One axial slice (393 of 787, counting up from the lowest) of a contrast-enhanced abdominal CT acquired with 140 kVp, kernel I30f; each pixel is 0.910 mm and the slice is 1.00 mm thick.
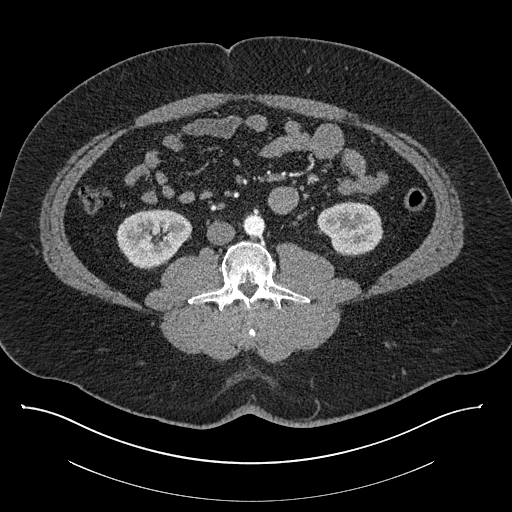
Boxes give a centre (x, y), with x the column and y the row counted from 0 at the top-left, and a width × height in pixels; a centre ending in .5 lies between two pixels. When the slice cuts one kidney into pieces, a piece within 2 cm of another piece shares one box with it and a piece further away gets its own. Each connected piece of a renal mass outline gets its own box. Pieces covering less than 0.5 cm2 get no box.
Boxed on this slice (two kidney boxes), listed by box centre from the image's left to its right: (1) Right kidney, box centre (153.5, 238.5), 76 × 60 pixels (outlined area 3,341 px, about 27.7 cm2). (2) Box centre (350, 228), 67 × 55 pixels: left kidney (outlined area 2,753 px, about 22.8 cm2). This slice carries no renal mass outline.